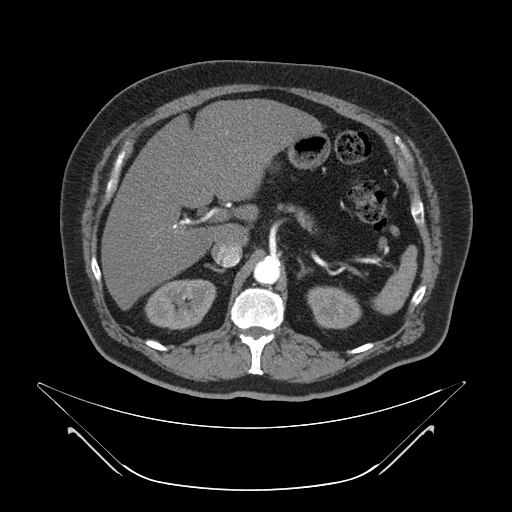
Axial slice 38 of 64 of a contrast-enhanced abdominal CT (slice 1 is the lowest), 120 kVp, kernel B; 4.00 mm slice thickness and 0.977 mm pixels.
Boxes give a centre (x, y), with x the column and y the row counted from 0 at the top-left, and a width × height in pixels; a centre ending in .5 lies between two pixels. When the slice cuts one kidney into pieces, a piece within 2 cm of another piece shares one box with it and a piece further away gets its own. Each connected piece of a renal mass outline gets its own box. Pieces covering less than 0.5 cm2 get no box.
Two boxes on this slice (two kidney boxes), listed by box centre from the image's left to its right. (1) Right kidney, box centre (180, 304), 73 × 51 pixels (outlined area 2,807 px, about 26.8 cm2). (2) Left kidney, box centre (334, 307), 55 × 43 pixels (outlined area 1,827 px, about 17.4 cm2). This slice carries no renal mass outline.